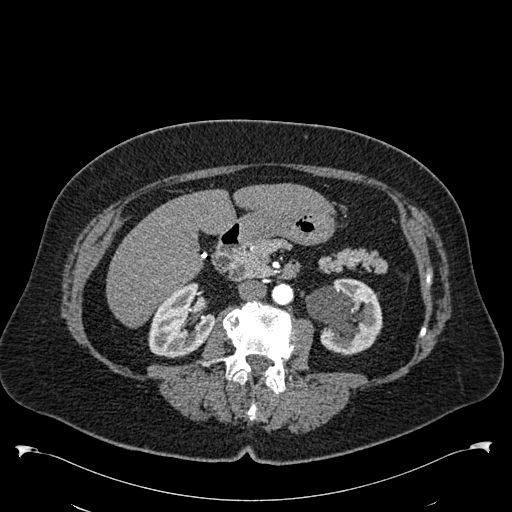
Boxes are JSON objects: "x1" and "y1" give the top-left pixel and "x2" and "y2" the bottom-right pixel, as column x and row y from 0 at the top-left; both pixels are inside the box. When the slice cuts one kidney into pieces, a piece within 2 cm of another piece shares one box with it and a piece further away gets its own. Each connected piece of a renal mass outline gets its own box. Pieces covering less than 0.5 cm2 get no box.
Slice 312/538 of a contrast-enhanced abdominal CT in the arterial phase, counting up from the lowest; pixel size 0.811 mm, slice thickness 1.00 mm. Two kidney boxes on this slice; by box centre, from the image's left to its right: (1) Right kidney at {"x1": 148, "y1": 282, "x2": 213, "y2": 358} (outlined area 3,512 px, about 23.1 cm2). (2) Box {"x1": 304, "y1": 278, "x2": 382, "y2": 354}: left kidney (outlined area 4,294 px, about 28.2 cm2). This slice carries no renal mass outline.
Scan settings: 120 kVp, B30f reconstruction kernel.